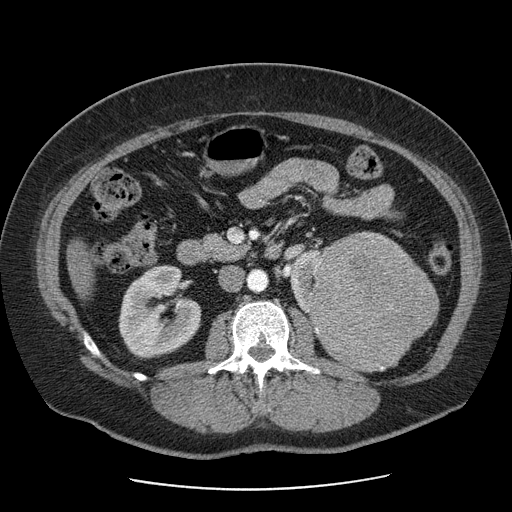
One axial slice (41 of 103, counting up from the lowest) of a contrast-enhanced abdominal CT acquired with 120 kVp, kernel STANDARD; each pixel is 0.736 mm and the slice is 2.50 mm thick.
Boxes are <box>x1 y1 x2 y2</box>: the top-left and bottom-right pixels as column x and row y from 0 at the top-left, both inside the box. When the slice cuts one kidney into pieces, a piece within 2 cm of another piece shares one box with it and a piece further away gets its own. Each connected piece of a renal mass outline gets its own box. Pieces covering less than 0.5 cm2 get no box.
Three boxes on this slice (two kidney boxes and one renal mass box), listed by box centre from the image's left to its right. (1) Right kidney: <box>118 265 201 359</box> (outlined area 5,655 px, about 30.7 cm2). (2) Left kidney: <box>290 249 322 314</box> (outlined area 1,250 px, about 6.8 cm2). (3) At <box>307 231 439 373</box>: left renal mass (outlined area 13,614 px, about 73.8 cm2).